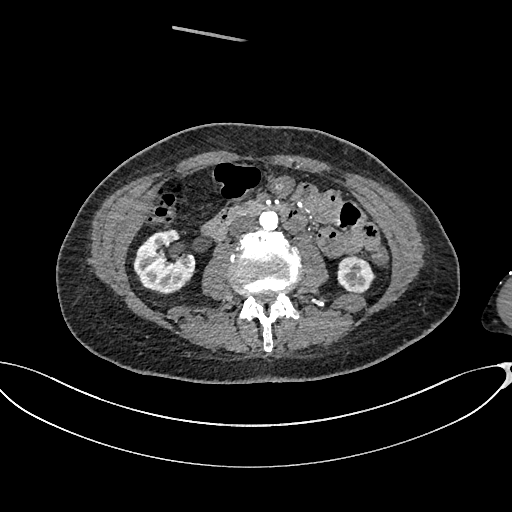
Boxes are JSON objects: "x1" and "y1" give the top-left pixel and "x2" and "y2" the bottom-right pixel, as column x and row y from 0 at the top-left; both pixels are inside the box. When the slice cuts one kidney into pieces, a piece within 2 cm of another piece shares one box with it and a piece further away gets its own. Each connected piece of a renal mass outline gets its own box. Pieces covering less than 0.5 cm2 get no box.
This is axial slice 328 of 665 (slice 1 is the lowest) of an arterial-phase abdominal CT with contrast; each pixel is 0.828 mm and the slice is 1.00 mm thick. Two boxes on this slice (two kidney boxes), listed by box centre from the image's left to its right. (1) Right kidney at {"x1": 133, "y1": 229, "x2": 195, "y2": 294} (outlined area 2,966 px, about 20.3 cm2). (2) Left kidney, box {"x1": 337, "y1": 256, "x2": 375, "y2": 292} (outlined area 1,092 px, about 7.5 cm2). This slice carries no renal mass outline.
Acquired at 100 kVp and reconstructed with the I26f kernel.